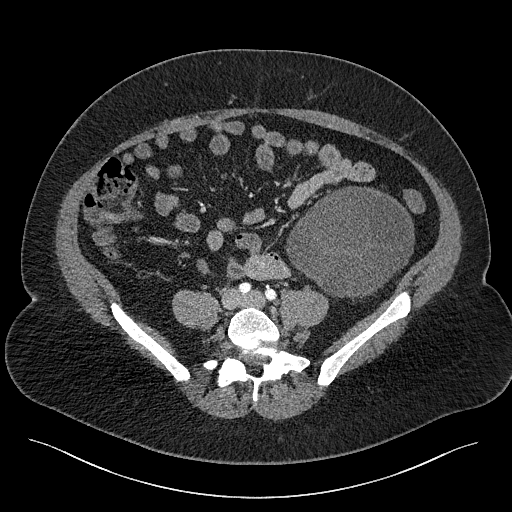
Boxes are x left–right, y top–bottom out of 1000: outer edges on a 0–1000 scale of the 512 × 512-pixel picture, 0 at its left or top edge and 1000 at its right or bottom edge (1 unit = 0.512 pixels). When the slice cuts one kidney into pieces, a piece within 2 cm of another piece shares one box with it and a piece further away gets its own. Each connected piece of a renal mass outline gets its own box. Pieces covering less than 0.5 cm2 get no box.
This is axial slice 48 of 301 (slice 1 is the lowest) of an abdominal CT with contrast; each pixel is 0.859 mm and the slice is 2.00 mm thick. Left renal mass at x 557–811, y 363–586 out of 1000 (outlined area 10,515 px, about 77.7 cm2); no kidney outline appears on this slice, but the same outlined renal mass comes within 1 cm of the kidney on another slice.
Scan settings: 120 kVp, I40f reconstruction kernel.